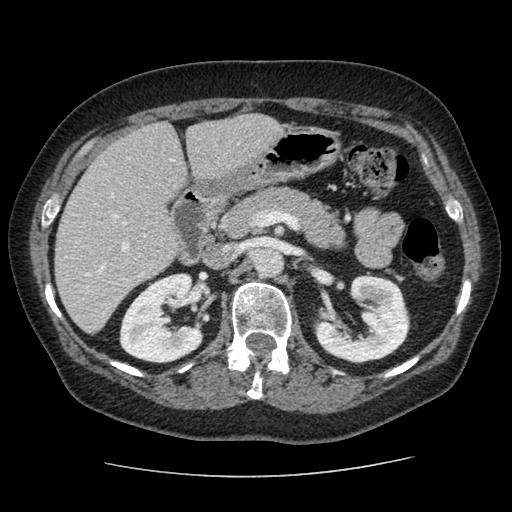
One axial slice (57 of 96, counting up from the lowest) of an arterial-phase abdominal CT acquired with 120 kVp, kernel STANDARD; each pixel is 0.689 mm and the slice is 2.50 mm thick.
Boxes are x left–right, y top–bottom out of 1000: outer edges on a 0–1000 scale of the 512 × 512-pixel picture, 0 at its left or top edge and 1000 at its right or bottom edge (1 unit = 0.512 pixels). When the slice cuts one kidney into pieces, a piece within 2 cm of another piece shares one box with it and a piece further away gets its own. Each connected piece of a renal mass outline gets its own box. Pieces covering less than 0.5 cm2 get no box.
Two kidney boxes on this slice; by box centre, from the image's left to its right: (1) Box x 232–398, y 533–711 out of 1000: right kidney (outlined area 5,475 px, about 26.0 cm2). (2) Left kidney at x 611–803, y 537–711 out of 1000 (outlined area 5,523 px, about 26.3 cm2). No renal mass is outlined on this slice.